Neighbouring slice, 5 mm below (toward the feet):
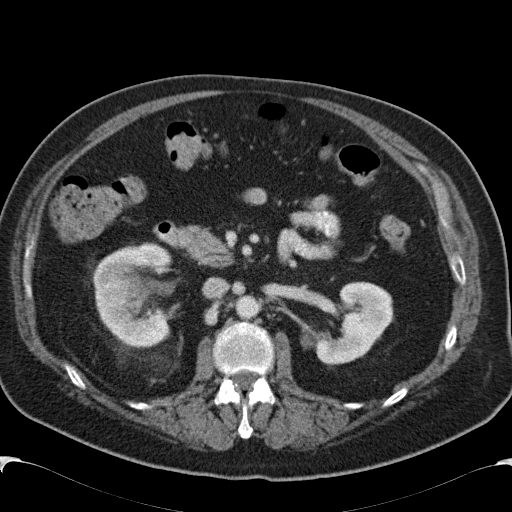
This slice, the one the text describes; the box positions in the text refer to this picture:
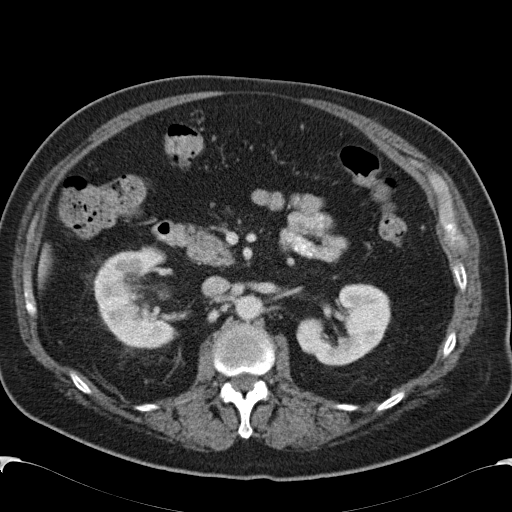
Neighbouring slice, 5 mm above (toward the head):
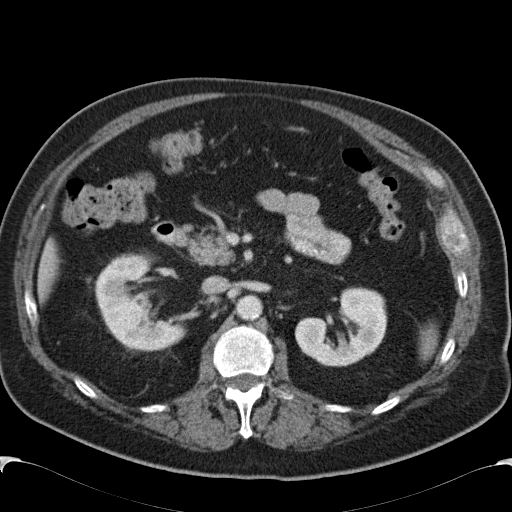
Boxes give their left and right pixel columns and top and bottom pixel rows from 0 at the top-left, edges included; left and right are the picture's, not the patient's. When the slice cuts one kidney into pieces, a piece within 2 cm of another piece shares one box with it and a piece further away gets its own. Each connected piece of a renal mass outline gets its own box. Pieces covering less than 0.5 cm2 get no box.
Contrast-enhanced abdominal CT, axial slice 72 of 99 (counted from the lowest slice); 5.00 mm thick, 0.742 mm per pixel. Boxed on this slice (two kidney boxes and one renal mass box), listed by box centre from the image's left to its right: (1) Box with left 112, top 281, right 129, bottom 295: right renal mass (outlined area 230 px, about 1.3 cm2). (2) Box with left 92, top 246, right 179, bottom 349: right kidney (outlined area 5,996 px, about 33.0 cm2). (3) Box with left 296, top 283, right 390, bottom 365: left kidney (outlined area 5,073 px, about 27.9 cm2). This slice is near the end of the right renal mass toward the head, so the slices 5 mm below and 5 mm above it are shown as well; the boxes refer to this slice only.
Scan settings: 120 kVp, B31f reconstruction kernel.